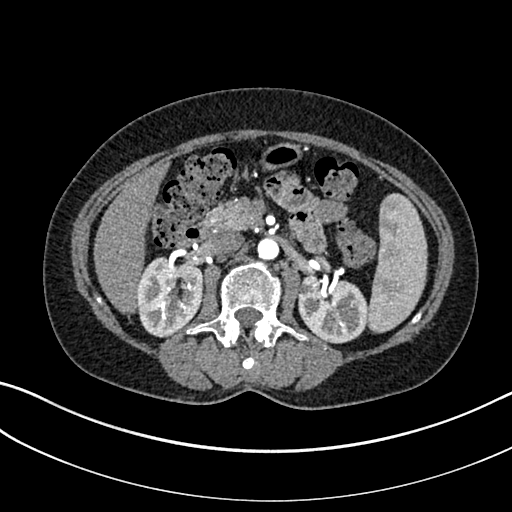
Abdominal CT with intravenous contrast, arterial phase, axial plane, 100 kVp, kernel I30f. Slice 172/325 from the bottom of the scan; thickness 1.00 mm; pixel size 0.703 mm.
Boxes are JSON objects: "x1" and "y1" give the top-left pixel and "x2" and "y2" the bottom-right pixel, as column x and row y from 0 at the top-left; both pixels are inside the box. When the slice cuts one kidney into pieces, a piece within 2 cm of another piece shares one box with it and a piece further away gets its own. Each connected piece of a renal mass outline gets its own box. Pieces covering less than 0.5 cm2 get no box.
Two boxes on this slice (two kidney boxes), listed by box centre from the image's left to its right. (1) Right kidney, box {"x1": 136, "y1": 256, "x2": 203, "y2": 337} (outlined area 4,210 px, about 20.8 cm2). (2) Left kidney at {"x1": 298, "y1": 275, "x2": 367, "y2": 343} (outlined area 3,798 px, about 18.8 cm2). No renal mass is outlined on this slice.